Abdominal CT with intravenous contrast, axial plane, 100 kVp, kernel I40f. Slice 128/163 from the bottom of the scan; thickness 3.00 mm; pixel size 0.799 mm.
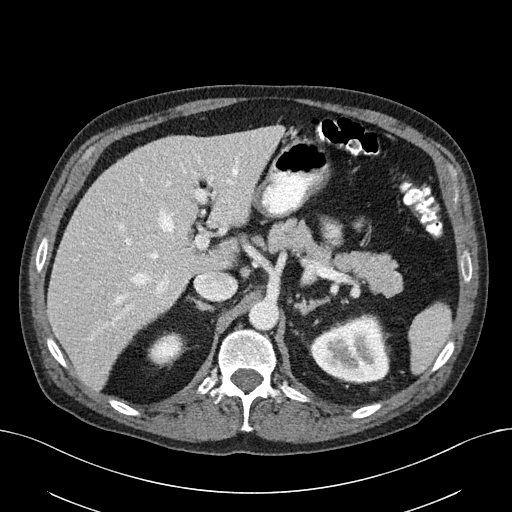
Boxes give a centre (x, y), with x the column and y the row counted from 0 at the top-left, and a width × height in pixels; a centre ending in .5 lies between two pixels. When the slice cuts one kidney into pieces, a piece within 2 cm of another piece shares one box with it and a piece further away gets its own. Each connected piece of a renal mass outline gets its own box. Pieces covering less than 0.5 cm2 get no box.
Boxed on this slice (two kidney boxes), listed by box centre from the image's left to its right: (1) Right kidney in a box with centre (166, 349), 37 × 33 pixels (outlined area 846 px, about 5.4 cm2). (2) Box centre (349.5, 348.5), 80 × 70 pixels: left kidney (outlined area 4,077 px, about 26.0 cm2). No renal mass is outlined on this slice.